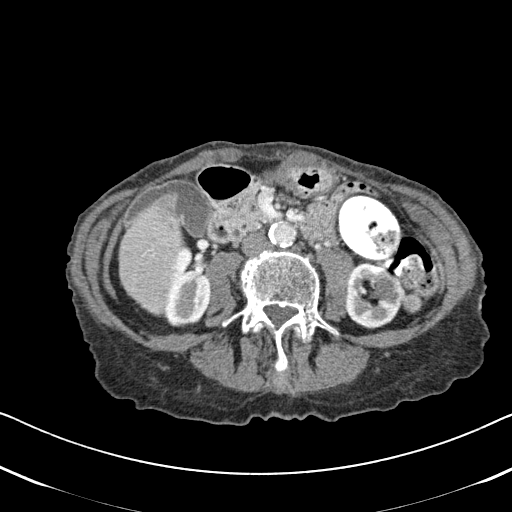
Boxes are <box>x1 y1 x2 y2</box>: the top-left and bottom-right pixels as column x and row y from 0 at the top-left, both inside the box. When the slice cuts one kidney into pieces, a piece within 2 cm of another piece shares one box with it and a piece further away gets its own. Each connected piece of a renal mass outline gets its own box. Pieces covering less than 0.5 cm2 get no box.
Arterial-phase contrast-enhanced abdominal CT, axial slice 262 of 620 (counted from the lowest slice); 2.00 mm thick, 0.637 mm per pixel. Boxed on this slice (two kidney boxes and one renal mass box), listed by box centre from the image's left to its right: (1) At <box>163 270 211 327</box>: right kidney (outlined area 2,141 px, about 8.7 cm2). (2) Left kidney: <box>343 262 405 329</box> (outlined area 3,001 px, about 12.2 cm2). (3) Left renal mass: <box>401 293 423 313</box> (outlined area 352 px, about 1.4 cm2).
Scan settings: 120 kVp, B31f reconstruction kernel.